Abdominal CT with intravenous contrast, arterial phase, axial plane, 120 kVp, kernel I30f. Slice 288/673 from the bottom of the scan; thickness 1.00 mm; pixel size 0.855 mm.
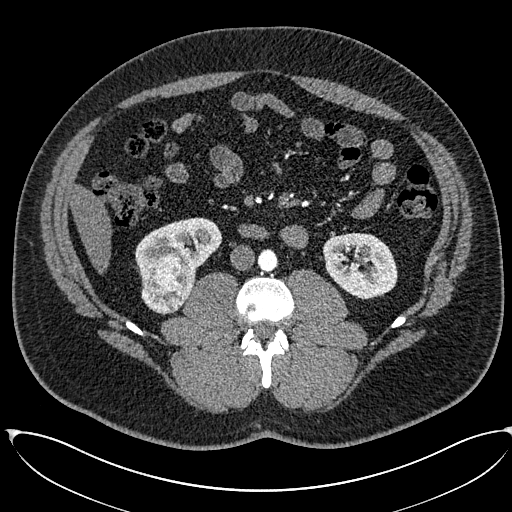
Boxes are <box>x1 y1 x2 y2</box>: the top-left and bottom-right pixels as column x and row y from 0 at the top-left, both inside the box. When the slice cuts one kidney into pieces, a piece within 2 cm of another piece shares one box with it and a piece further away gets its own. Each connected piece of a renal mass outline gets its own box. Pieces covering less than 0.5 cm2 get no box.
Three boxes on this slice (two kidney boxes and one renal mass box), listed by box centre from the image's left to its right. (1) Right renal mass: <box>141 255 195 313</box> (outlined area 2,431 px, about 17.8 cm2). (2) At <box>134 217 222 280</box>: right kidney (outlined area 3,149 px, about 23.0 cm2). (3) At <box>323 232 397 298</box>: left kidney (outlined area 3,804 px, about 27.8 cm2).